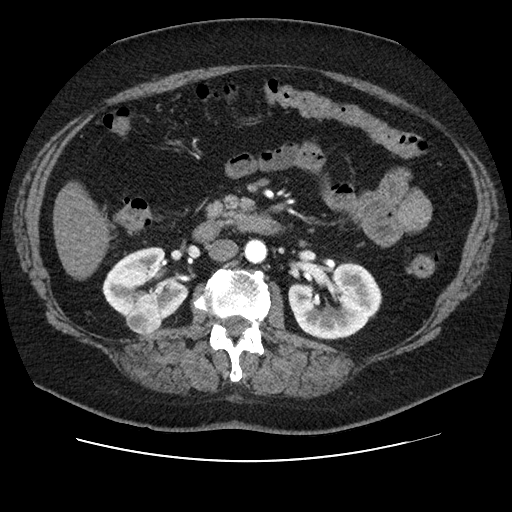
One axial slice (53 of 106, counting up from the lowest) of an arterial-phase abdominal CT acquired with 120 kVp, kernel STANDARD; each pixel is 0.742 mm and the slice is 2.50 mm thick.
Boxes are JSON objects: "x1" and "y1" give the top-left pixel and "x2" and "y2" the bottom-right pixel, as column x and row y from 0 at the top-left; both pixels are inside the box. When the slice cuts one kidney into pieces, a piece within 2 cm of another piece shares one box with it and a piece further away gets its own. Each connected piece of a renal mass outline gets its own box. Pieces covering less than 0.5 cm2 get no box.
Three boxes on this slice (two kidney boxes and one renal mass box), listed by box centre from the image's left to its right. (1) Box {"x1": 125, "y1": 293, "x2": 164, "y2": 335}: right renal mass (outlined area 1,144 px, about 6.3 cm2). (2) Right kidney, box {"x1": 102, "y1": 247, "x2": 188, "y2": 318} (outlined area 3,825 px, about 21.1 cm2). (3) Box {"x1": 288, "y1": 261, "x2": 382, "y2": 339}: left kidney (outlined area 5,212 px, about 28.7 cm2).